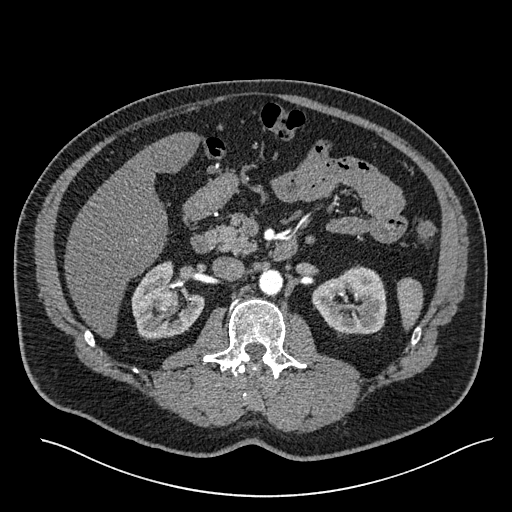
Arterial-phase contrast-enhanced abdominal CT, axial slice 342 of 527 (counted from the lowest slice); tube voltage 120 kVp, convolution kernel I30f; slices 1.00 mm thick, 0.859 mm per pixel.
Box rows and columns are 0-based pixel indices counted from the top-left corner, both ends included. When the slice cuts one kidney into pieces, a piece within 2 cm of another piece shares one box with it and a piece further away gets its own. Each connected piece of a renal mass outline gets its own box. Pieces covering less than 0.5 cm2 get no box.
Three boxes on this slice (two kidney boxes and one renal mass box), listed by box centre from the image's left to its right. (1) Right renal mass at rows 289–307, columns 157–177 (outlined area 341 px, about 2.5 cm2). (2) Right kidney at rows 261–339, columns 131–204 (outlined area 3,554 px, about 26.2 cm2). (3) Left kidney, box rows 265–336, columns 312–386 (outlined area 3,867 px, about 28.6 cm2).